One axial slice (82 of 117, counting up from the lowest) of an arterial-phase abdominal CT acquired with 120 kVp, kernel FC12; each pixel is 0.518 mm and the slice is 3.00 mm thick.
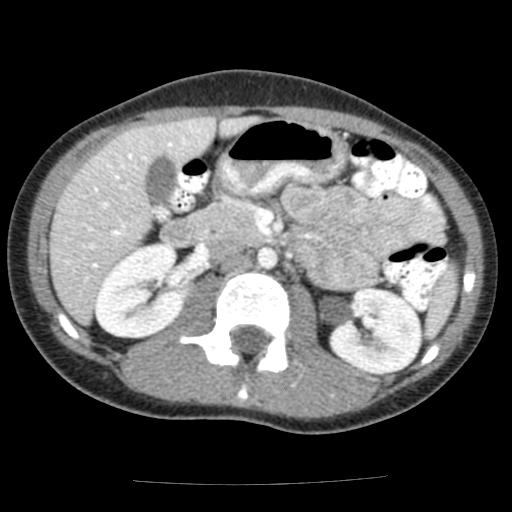
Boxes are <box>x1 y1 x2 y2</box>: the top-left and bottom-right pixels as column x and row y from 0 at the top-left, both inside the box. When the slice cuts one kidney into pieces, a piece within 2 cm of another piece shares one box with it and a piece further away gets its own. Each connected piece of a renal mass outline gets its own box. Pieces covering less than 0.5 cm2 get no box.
Two boxes on this slice (two kidney boxes), listed by box centre from the image's left to its right. (1) Right kidney at <box>94 241 186 339</box> (outlined area 6,801 px, about 18.2 cm2). (2) Left kidney: <box>328 288 422 376</box> (outlined area 6,249 px, about 16.8 cm2). This slice carries no renal mass outline.